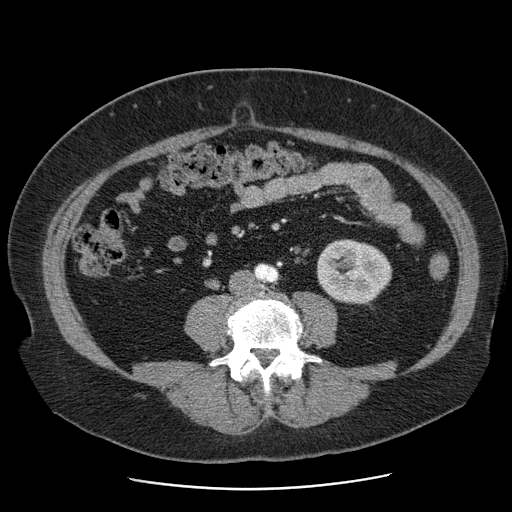
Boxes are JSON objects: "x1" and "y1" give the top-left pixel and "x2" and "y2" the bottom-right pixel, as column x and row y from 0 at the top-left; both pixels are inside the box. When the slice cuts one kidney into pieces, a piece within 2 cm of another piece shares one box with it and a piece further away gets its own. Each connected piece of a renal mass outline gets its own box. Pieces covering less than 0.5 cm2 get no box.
This is axial slice 18 of 103 (slice 1 is the lowest) of an abdominal CT with contrast; each pixel is 0.736 mm and the slice is 2.50 mm thick. Left kidney, box {"x1": 317, "y1": 239, "x2": 391, "y2": 303} (outlined area 3,834 px, about 20.8 cm2). No renal mass outline on this slice.
Scan settings: 120 kVp, STANDARD reconstruction kernel.